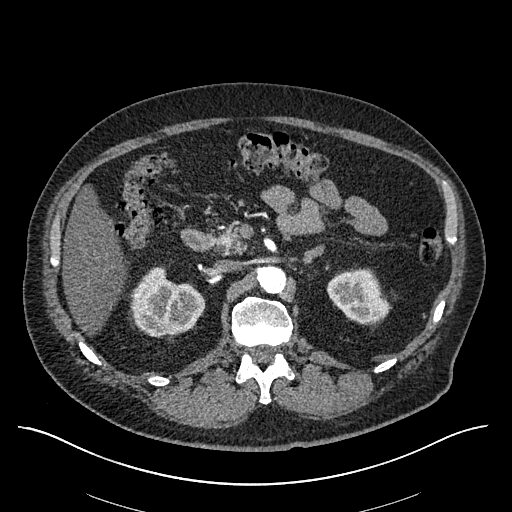
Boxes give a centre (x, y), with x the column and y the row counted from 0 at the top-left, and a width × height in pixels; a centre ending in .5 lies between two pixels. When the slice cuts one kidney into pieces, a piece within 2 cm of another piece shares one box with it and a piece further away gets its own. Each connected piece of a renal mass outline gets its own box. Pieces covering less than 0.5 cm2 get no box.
This is axial slice 375 of 670 (slice 1 is the lowest) of an arterial-phase abdominal CT with contrast; each pixel is 0.861 mm and the slice is 1.00 mm thick. Boxed on this slice (two kidney boxes), listed by box centre from the image's left to its right: (1) Right kidney, box centre (167, 301.5), 75 × 72 pixels (outlined area 3,733 px, about 27.7 cm2). (2) Box centre (358, 296.5), 65 × 58 pixels: left kidney (outlined area 2,576 px, about 19.1 cm2). This slice carries no renal mass outline.
Acquired at 120 kVp and reconstructed with the I30f kernel.